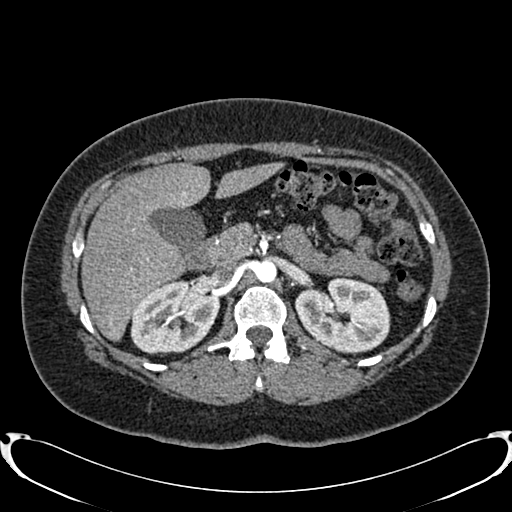
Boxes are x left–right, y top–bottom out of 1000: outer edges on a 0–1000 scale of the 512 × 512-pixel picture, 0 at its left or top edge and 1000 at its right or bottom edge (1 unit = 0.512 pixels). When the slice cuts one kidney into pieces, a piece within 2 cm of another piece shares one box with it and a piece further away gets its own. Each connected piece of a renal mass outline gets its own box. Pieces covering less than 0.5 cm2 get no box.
Slice 515/719 of a contrast-enhanced abdominal CT in the arterial phase, counting up from the lowest; pixel size 0.766 mm, slice thickness 1.00 mm. Two kidney boxes on this slice; by box centre, from the image's left to its right: (1) Right kidney at x 254–430, y 547–695 out of 1000 (outlined area 4,990 px, about 29.3 cm2). (2) Left kidney at x 576–764, y 539–691 out of 1000 (outlined area 5,473 px, about 32.1 cm2). No renal mass is outlined on this slice.
Acquired at 120 kVp and reconstructed with the B20f kernel.